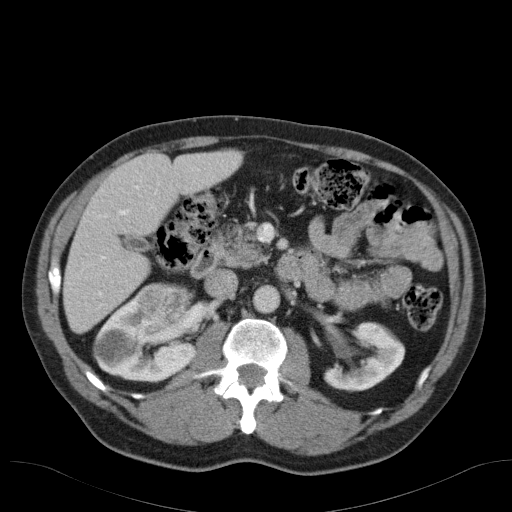
Arterial-phase contrast-enhanced abdominal CT, axial slice 68 of 98 (counted from the lowest slice); tube voltage 120 kVp, convolution kernel B31f; slices 5.00 mm thick, 0.764 mm per pixel.
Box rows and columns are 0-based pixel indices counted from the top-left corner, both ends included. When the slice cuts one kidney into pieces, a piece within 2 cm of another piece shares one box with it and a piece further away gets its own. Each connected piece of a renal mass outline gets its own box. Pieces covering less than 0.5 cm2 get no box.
Boxed on this slice (two kidney boxes and one renal mass box), listed by box centre from the image's left to its right: (1) Right kidney at rows 297–382, columns 93–197 (outlined area 5,771 px, about 33.7 cm2). (2) Box rows 282–332, columns 134–194: right renal mass (outlined area 2,210 px, about 12.9 cm2). (3) Left kidney, box rows 321–391, columns 324–405 (outlined area 3,517 px, about 20.5 cm2).